Axial slice 119 of 302 of a contrast-enhanced abdominal CT in the arterial phase (slice 1 is the lowest), 100 kVp, kernel I30f; 5.00 mm slice thickness and 0.875 mm pixels.
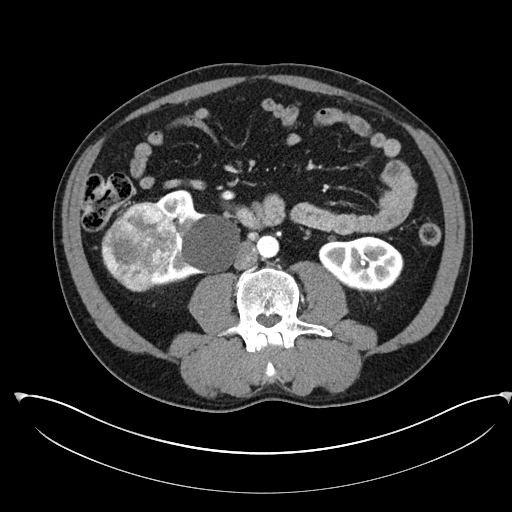
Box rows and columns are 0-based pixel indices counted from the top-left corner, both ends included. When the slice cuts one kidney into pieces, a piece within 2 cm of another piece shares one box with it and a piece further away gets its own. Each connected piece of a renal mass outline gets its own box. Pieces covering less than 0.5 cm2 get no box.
Boxed on this slice (two kidney boxes and one renal mass box), listed by box centre from the image's left to its right: (1) Right renal mass at rows 201–291, columns 101–176 (outlined area 4,874 px, about 37.3 cm2). (2) Box rows 189–288, columns 150–239: right kidney (outlined area 4,792 px, about 36.7 cm2). (3) Box rows 236–291, columns 318–403: left kidney (outlined area 3,546 px, about 27.1 cm2).